Abdominal CT with intravenous contrast, arterial phase, axial plane, 120 kVp, kernel I30f. Slice 292/705 from the bottom of the scan; thickness 1.00 mm; pixel size 0.703 mm.
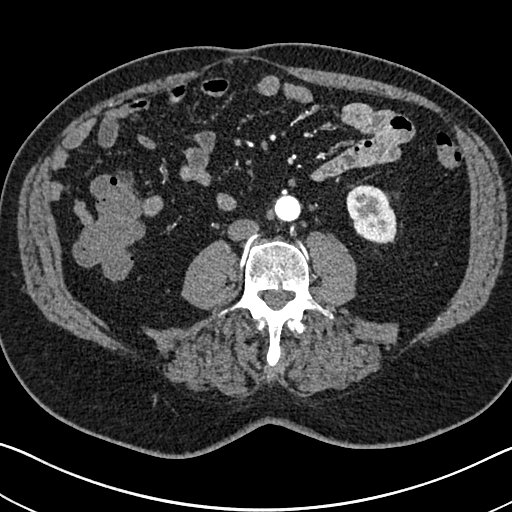
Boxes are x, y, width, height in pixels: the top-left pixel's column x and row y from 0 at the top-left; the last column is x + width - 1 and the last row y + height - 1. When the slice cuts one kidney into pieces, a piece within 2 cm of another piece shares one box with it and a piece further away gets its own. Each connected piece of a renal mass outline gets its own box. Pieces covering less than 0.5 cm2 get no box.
Box x 346, y 184, width 51, height 60: left kidney (outlined area 2,312 px, about 11.4 cm2). No renal mass is outlined on this slice.